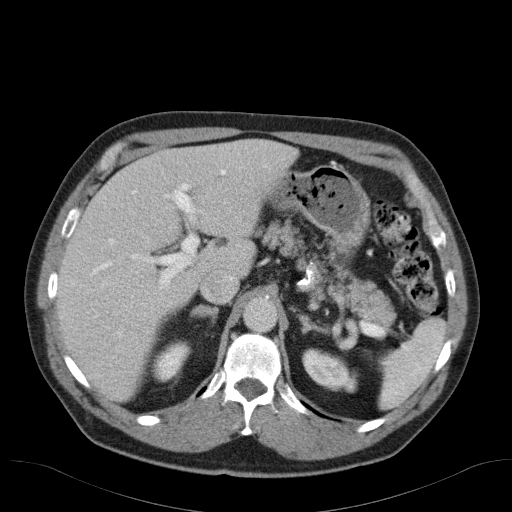
Abdominal CT with intravenous contrast, arterial phase, axial plane, 120 kVp, kernel B31f. Slice 78/98 from the bottom of the scan; thickness 5.00 mm; pixel size 0.764 mm.
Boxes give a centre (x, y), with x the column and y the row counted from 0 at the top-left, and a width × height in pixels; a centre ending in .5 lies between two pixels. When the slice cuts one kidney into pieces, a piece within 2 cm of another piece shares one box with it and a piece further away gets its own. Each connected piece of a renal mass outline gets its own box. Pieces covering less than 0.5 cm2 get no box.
Two kidney boxes on this slice; by box centre, from the image's left to its right: (1) Right kidney in a box with centre (170.5, 361), 42 × 43 pixels (outlined area 1,199 px, about 7.0 cm2). (2) Left kidney, box centre (329.5, 370), 56 × 45 pixels (outlined area 1,677 px, about 9.8 cm2). This slice carries no renal mass outline.